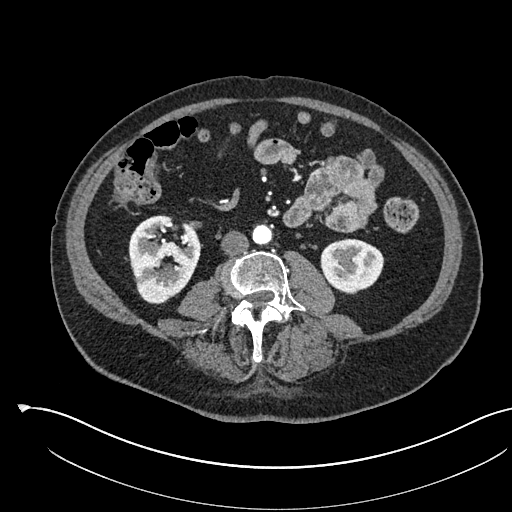
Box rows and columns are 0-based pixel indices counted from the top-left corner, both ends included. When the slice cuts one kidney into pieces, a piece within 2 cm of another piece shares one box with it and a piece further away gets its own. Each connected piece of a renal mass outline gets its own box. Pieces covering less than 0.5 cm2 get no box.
Slice 249/541 of a contrast-enhanced abdominal CT in the arterial phase, counting up from the lowest; pixel size 0.834 mm, slice thickness 1.00 mm. Two boxes on this slice (two kidney boxes), listed by box centre from the image's left to its right. (1) Right kidney at rows 215–303, columns 128–200 (outlined area 4,635 px, about 32.2 cm2). (2) Box rows 238–294, columns 320–384: left kidney (outlined area 2,753 px, about 19.1 cm2). This slice carries no renal mass outline.
Scan settings: 120 kVp, I30f reconstruction kernel.